Contrast-enhanced abdominal CT, axial slice 552 of 787 (counted from the lowest slice); tube voltage 140 kVp, convolution kernel I30f; slices 1.00 mm thick, 0.910 mm per pixel.
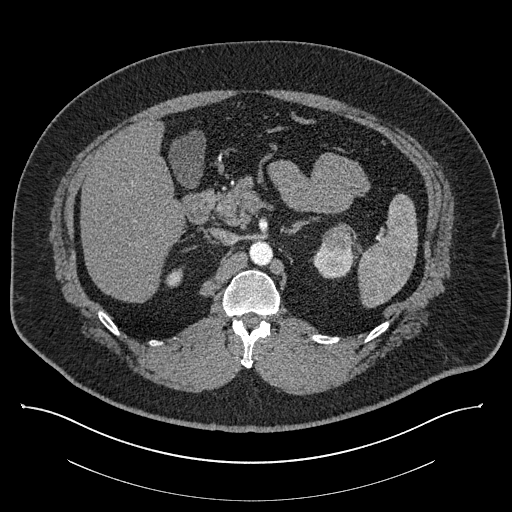
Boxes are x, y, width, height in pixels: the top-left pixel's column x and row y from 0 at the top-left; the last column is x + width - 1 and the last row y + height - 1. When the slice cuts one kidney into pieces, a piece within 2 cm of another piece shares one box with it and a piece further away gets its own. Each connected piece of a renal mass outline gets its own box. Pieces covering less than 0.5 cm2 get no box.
Two kidney boxes and one renal mass box on this slice; by box centre, from the image's left to its right: (1) Box x 165, y 267, width 19, height 21: right kidney (outlined area 262 px, about 2.2 cm2). (2) Left kidney at x 311, y 244, width 43, height 36 (outlined area 993 px, about 8.2 cm2). (3) Left renal mass, box x 322, y 224, width 34, height 30 (outlined area 754 px, about 6.2 cm2).